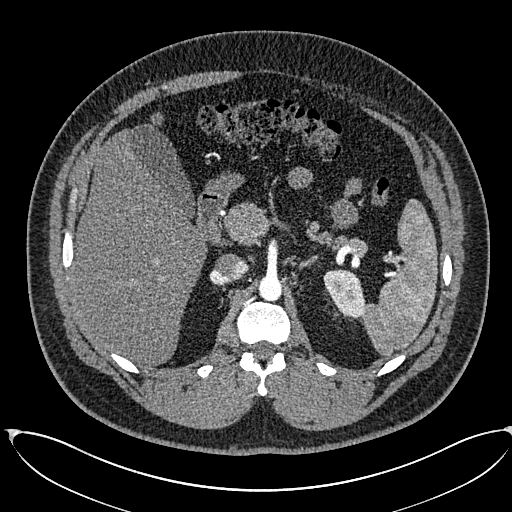
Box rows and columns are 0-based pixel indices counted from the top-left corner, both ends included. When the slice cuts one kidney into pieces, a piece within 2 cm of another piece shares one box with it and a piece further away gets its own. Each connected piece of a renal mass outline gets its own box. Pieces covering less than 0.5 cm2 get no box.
This is axial slice 420 of 673 (slice 1 is the lowest) of an arterial-phase abdominal CT with contrast; each pixel is 0.855 mm and the slice is 1.00 mm thick. Box rows 269–318, columns 323–365: left kidney (outlined area 1,498 px, about 11.0 cm2). This slice carries no renal mass outline.
Acquired at 120 kVp and reconstructed with the I30f kernel.